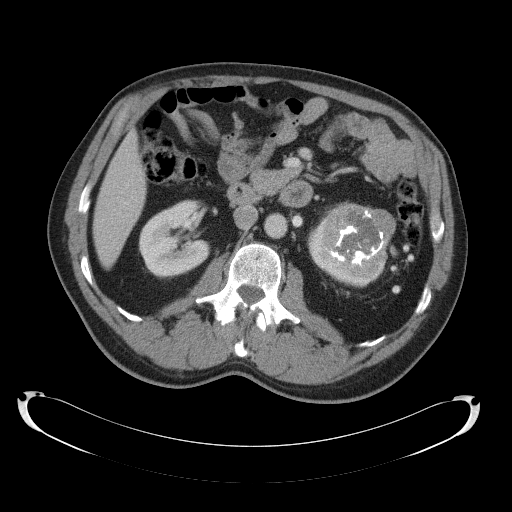
Contrast-enhanced abdominal CT, axial slice 68 of 145 (counted from the lowest slice); tube voltage 120 kVp, convolution kernel B41f; slices 5.00 mm thick, 0.859 mm per pixel.
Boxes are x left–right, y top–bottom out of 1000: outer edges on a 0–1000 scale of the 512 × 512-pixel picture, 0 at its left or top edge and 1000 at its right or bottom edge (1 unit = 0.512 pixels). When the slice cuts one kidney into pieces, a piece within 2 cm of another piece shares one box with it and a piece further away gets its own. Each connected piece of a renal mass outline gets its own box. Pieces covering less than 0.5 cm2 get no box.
Two kidney boxes and one renal mass box on this slice; by box centre, from the image's left to its right: (1) Right kidney at x 270–412, y 389–545 out of 1000 (outlined area 4,203 px, about 31.0 cm2). (2) Box x 600–758, y 422–563 out of 1000: left kidney (outlined area 1,117 px, about 8.2 cm2). (3) Box x 623–775, y 393–543 out of 1000: left renal mass (outlined area 4,476 px, about 33.1 cm2).